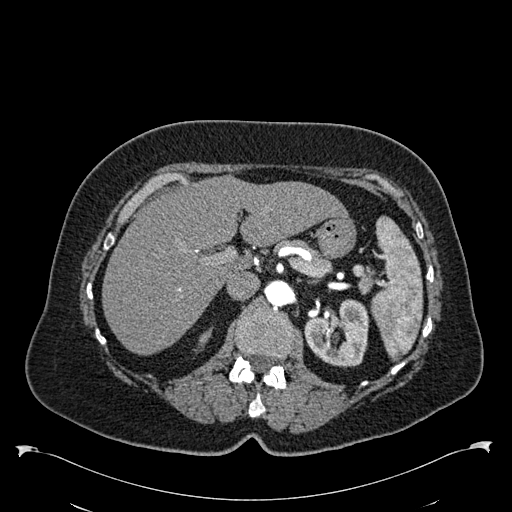
Arterial-phase contrast-enhanced abdominal CT, axial slice 390 of 538 (counted from the lowest slice); tube voltage 120 kVp, convolution kernel B30f; slices 1.00 mm thick, 0.811 mm per pixel.
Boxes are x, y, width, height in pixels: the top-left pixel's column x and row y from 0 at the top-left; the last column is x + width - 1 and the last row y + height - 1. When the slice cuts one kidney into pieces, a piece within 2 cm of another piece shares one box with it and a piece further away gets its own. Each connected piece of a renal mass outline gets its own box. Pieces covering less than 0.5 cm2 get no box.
Two kidney boxes on this slice; by box centre, from the image's left to its right: (1) Right kidney, box x 194, y 327, width 19, height 26 (outlined area 179 px, about 1.2 cm2). (2) Left kidney, box x 304, y 299, width 66, height 69 (outlined area 3,245 px, about 21.3 cm2). No renal mass outline on this slice.